Arterial-phase contrast-enhanced abdominal CT, axial slice 225 of 325 (counted from the lowest slice); tube voltage 100 kVp, convolution kernel I30f; slices 1.00 mm thick, 0.703 mm per pixel.
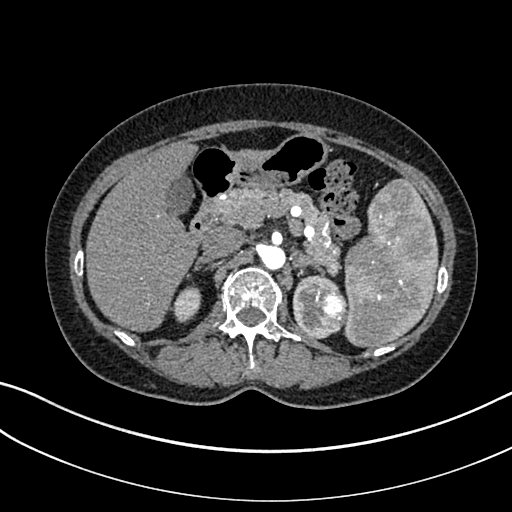
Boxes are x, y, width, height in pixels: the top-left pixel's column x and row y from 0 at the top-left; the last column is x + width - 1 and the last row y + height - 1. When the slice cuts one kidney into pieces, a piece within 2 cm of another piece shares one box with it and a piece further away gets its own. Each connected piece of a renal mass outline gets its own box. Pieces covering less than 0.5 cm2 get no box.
Three boxes on this slice (two kidney boxes and one renal mass box), listed by box centre from the image's left to its right. (1) Box x 170, y 286, width 32, height 37: right kidney (outlined area 774 px, about 3.8 cm2). (2) Left kidney, box x 293, y 274, width 47, height 66 (outlined area 1,534 px, about 7.6 cm2). (3) Box x 312, y 289, width 35, height 45: left renal mass (outlined area 1,210 px, about 6.0 cm2).